Arterial-phase contrast-enhanced abdominal CT, axial slice 337 of 548 (counted from the lowest slice); tube voltage 120 kVp, convolution kernel I26f; slices 1.00 mm thick, 0.852 mm per pixel.
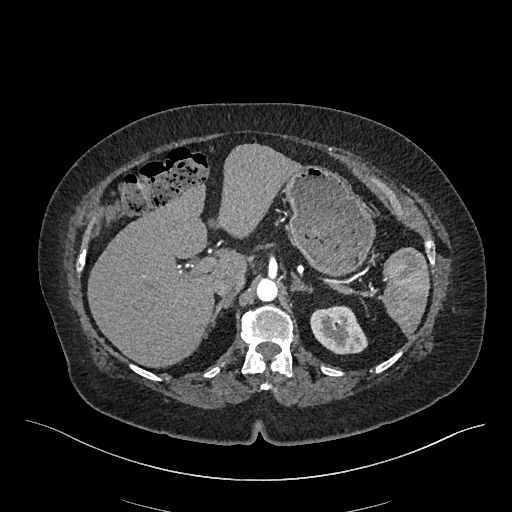
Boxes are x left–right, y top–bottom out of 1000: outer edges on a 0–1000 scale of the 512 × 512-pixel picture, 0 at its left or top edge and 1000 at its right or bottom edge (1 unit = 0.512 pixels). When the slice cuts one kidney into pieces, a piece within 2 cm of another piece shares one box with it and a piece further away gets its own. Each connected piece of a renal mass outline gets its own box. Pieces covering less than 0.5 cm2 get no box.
Left kidney, box x 605–721, y 596–693 out of 1000 (outlined area 2,127 px, about 15.4 cm2). No renal mass is outlined on this slice.